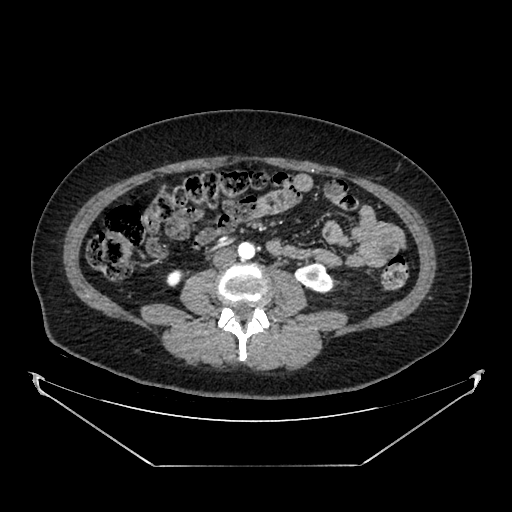
Arterial-phase contrast-enhanced abdominal CT, axial slice 188 of 383 (counted from the lowest slice); tube voltage 100 kVp, convolution kernel SOFT; slices 1.25 mm thick, 0.898 mm per pixel.
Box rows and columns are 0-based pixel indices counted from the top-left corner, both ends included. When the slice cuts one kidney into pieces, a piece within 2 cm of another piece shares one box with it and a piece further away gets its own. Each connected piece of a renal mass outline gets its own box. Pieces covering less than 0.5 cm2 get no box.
Two boxes on this slice (two kidney boxes), listed by box centre from the image's left to its right. (1) Right kidney, box rows 269–286, columns 166–182 (outlined area 226 px, about 1.8 cm2). (2) Box rows 263–292, columns 294–333: left kidney (outlined area 856 px, about 6.9 cm2). This slice carries no renal mass outline.